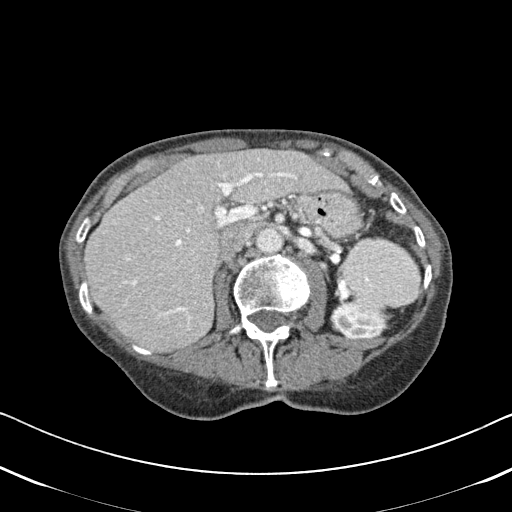
Arterial-phase contrast-enhanced abdominal CT, axial slice 315 of 620 (counted from the lowest slice); tube voltage 120 kVp, convolution kernel B31f; slices 2.00 mm thick, 0.637 mm per pixel.
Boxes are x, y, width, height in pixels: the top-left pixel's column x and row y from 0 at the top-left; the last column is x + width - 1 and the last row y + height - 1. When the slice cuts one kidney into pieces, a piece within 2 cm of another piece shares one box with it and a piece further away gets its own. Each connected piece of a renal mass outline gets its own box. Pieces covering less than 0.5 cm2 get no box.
Box x 330, y 301, width 60, height 39: left kidney (outlined area 1,731 px, about 7.0 cm2). No renal mass is outlined on this slice.